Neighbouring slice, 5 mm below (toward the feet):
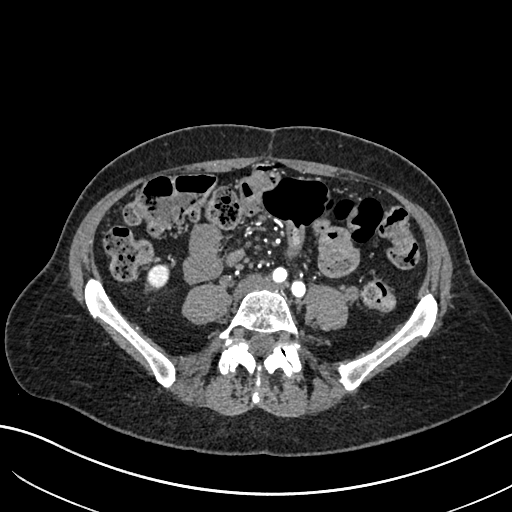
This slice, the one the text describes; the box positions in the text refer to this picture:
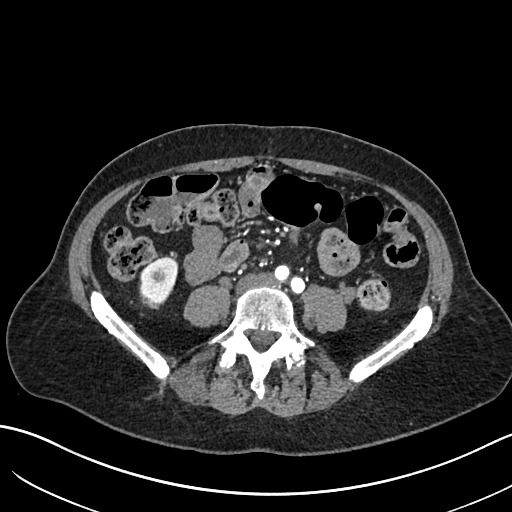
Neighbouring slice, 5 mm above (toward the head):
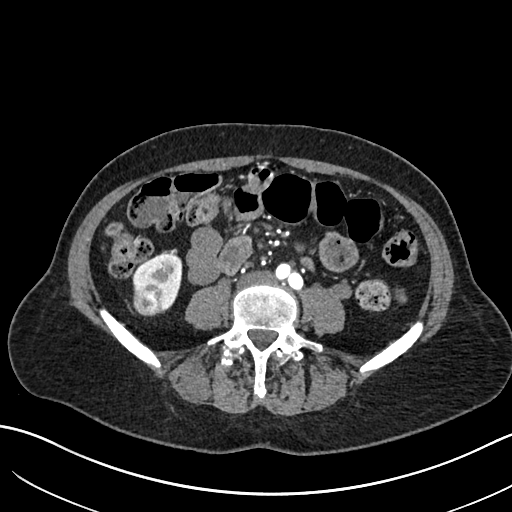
Abdominal CT with intravenous contrast, arterial phase, axial plane, 120 kVp, kernel I30f. Slice 252/683 from the bottom of the scan; thickness 1.00 mm; pixel size 0.738 mm.
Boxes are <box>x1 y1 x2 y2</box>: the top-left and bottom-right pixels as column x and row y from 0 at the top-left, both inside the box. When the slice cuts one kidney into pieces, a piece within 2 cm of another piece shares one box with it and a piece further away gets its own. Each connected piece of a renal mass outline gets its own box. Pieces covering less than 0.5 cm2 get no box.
Boxed on this slice (one kidney box and one renal mass box), listed by box centre from the image's left to its right: (1) Right renal mass at <box>140 286 162 305</box> (outlined area 374 px, about 2.0 cm2). (2) Right kidney at <box>139 256 178 303</box> (outlined area 1,143 px, about 6.2 cm2). This slice lies near the end of the right renal mass toward the feet; the slices 5 mm below and 5 mm above it are shown too, and the boxes mark positions on this slice only.